Contrast-enhanced abdominal CT, axial slice 38 of 76 (counted from the lowest slice); tube voltage 120 kVp, convolution kernel STANDARD; slices 2.50 mm thick, 0.586 mm per pixel.
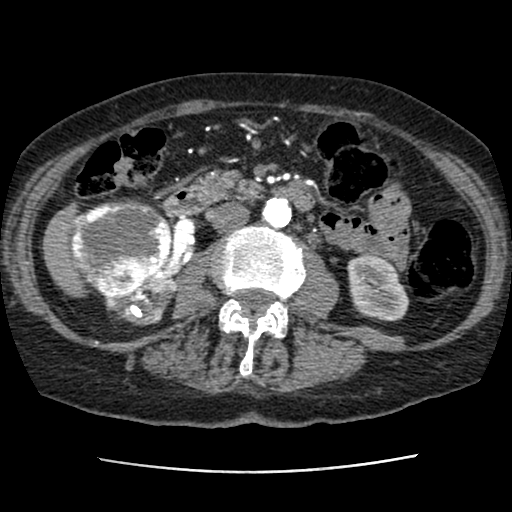
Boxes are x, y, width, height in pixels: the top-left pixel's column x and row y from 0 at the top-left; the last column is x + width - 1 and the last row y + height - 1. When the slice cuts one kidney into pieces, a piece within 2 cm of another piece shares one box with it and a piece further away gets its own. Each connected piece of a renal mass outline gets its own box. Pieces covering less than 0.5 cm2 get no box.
Three boxes on this slice (two kidney boxes and one renal mass box), listed by box centre from the image's left to its right. (1) Right renal mass, box x 69, y 198, width 102, height 101 (outlined area 7,621 px, about 26.2 cm2). (2) Box x 104, y 266, width 73, height 60: right kidney (outlined area 2,229 px, about 7.7 cm2). (3) Box x 347, y 255, width 62, height 67: left kidney (outlined area 3,102 px, about 10.6 cm2).